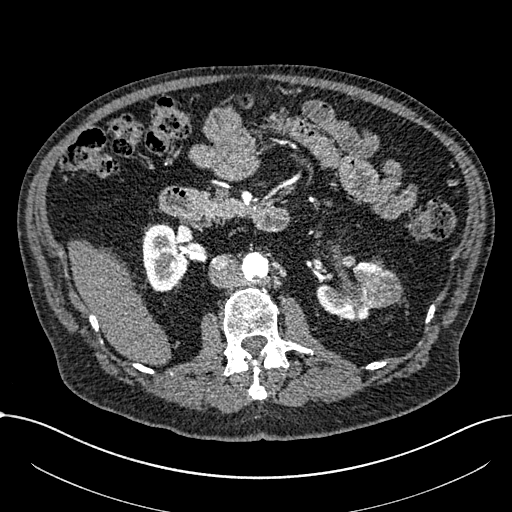
Arterial-phase contrast-enhanced abdominal CT, axial slice 395 of 1059 (counted from the lowest slice); tube voltage 100 kVp, convolution kernel I30f; slices 1.00 mm thick, 0.811 mm per pixel.
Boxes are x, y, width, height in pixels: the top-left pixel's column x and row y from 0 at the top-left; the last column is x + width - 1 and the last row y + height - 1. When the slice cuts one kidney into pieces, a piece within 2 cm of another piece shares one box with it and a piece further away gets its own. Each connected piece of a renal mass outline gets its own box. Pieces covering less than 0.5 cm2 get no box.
Three boxes on this slice (two kidney boxes and one renal mass box), listed by box centre from the image's left to its right. (1) Right part of the midline-crossing kidney at x 142, y 224, width 47, height 69 (outlined area 2,362 px, about 15.5 cm2). (2) Box x 316, y 261, width 72, height 60: left part of the midline-crossing kidney (outlined area 2,101 px, about 13.8 cm2). (3) Box x 361, y 270, width 43, height 39: renal mass (outlined area 1,226 px, about 8.1 cm2).